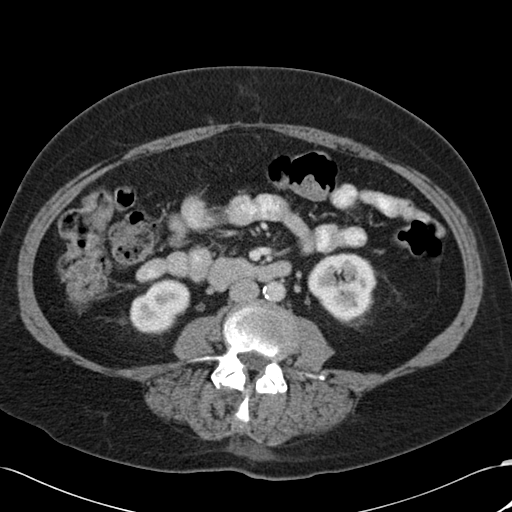
One axial slice (52 of 88, counting up from the lowest) of an arterial-phase abdominal CT acquired with 120 kVp, kernel B30f; each pixel is 0.691 mm and the slice is 5.00 mm thick.
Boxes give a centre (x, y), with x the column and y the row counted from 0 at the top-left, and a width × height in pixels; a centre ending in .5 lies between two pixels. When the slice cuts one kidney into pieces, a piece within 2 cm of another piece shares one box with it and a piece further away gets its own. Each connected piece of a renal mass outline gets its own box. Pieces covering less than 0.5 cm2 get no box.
Boxed on this slice (two kidney boxes), listed by box centre from the image's left to its right: (1) Right kidney, box centre (159.5, 306), 62 × 57 pixels (outlined area 2,474 px, about 11.8 cm2). (2) Box centre (341.5, 288), 70 × 71 pixels: left kidney (outlined area 3,617 px, about 17.3 cm2). No renal mass outline on this slice.